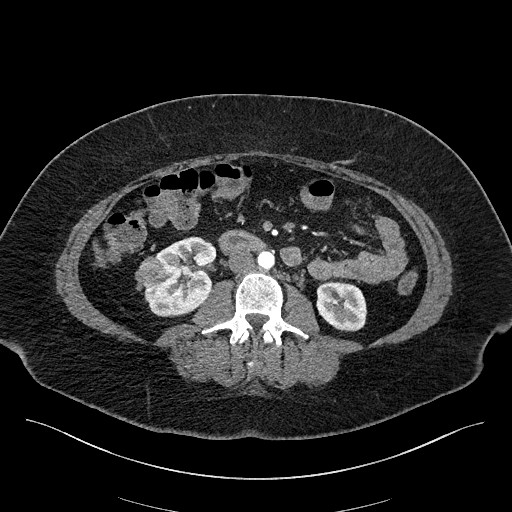
Abdominal CT with intravenous contrast, arterial phase, axial plane, 100 kVp, kernel I40f. Slice 78/270 from the bottom of the scan; thickness 2.00 mm; pixel size 0.855 mm.
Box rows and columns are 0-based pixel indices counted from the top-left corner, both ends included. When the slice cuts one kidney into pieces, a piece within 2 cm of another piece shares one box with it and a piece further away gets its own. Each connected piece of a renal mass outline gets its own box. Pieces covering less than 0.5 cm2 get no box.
Boxed on this slice (two kidney boxes and one renal mass box), listed by box centre from the image's left to its right: (1) Right renal mass, box rows 256–287, columns 135–166 (outlined area 713 px, about 5.2 cm2). (2) Right kidney, box rows 236–316, columns 144–217 (outlined area 3,997 px, about 29.3 cm2). (3) Box rows 281–331, columns 316–366: left kidney (outlined area 2,091 px, about 15.3 cm2).